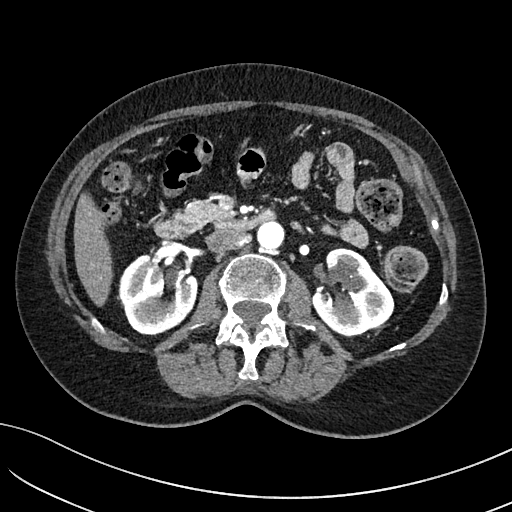
Abdominal CT with intravenous contrast, arterial phase, axial plane, 100 kVp, kernel I40f. Slice 61/234 from the bottom of the scan; thickness 2.00 mm; pixel size 0.699 mm.
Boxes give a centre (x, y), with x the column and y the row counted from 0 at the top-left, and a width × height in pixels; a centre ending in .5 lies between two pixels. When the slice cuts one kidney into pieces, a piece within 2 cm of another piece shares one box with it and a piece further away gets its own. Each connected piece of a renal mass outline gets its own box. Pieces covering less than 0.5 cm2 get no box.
Two boxes on this slice (two kidney boxes), listed by box centre from the image's left to its right. (1) Right kidney in a box with centre (158, 294), 81 × 83 pixels (outlined area 4,671 px, about 22.8 cm2). (2) Left kidney in a box with centre (352, 292.5), 85 × 90 pixels (outlined area 5,107 px, about 25.0 cm2). This slice carries no renal mass outline.